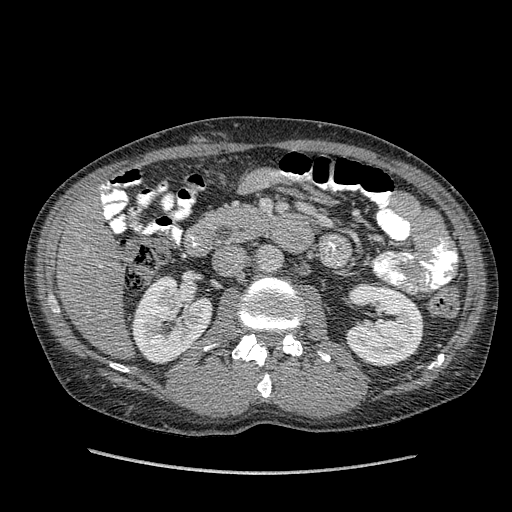
One axial slice (208 of 349, counting up from the lowest) of an arterial-phase abdominal CT acquired with 120 kVp, kernel STANDARD; each pixel is 0.742 mm and the slice is 1.25 mm thick.
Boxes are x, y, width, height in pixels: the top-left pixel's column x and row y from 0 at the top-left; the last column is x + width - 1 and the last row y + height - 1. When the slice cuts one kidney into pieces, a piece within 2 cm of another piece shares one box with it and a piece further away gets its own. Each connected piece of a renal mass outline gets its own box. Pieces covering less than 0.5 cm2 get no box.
Boxed on this slice (two kidney boxes), listed by box centre from the image's left to its right: (1) Right kidney at x 131, y 275, width 82, height 90 (outlined area 5,174 px, about 28.5 cm2). (2) Left kidney at x 344, y 284, width 80, height 83 (outlined area 4,919 px, about 27.1 cm2). This slice carries no renal mass outline.